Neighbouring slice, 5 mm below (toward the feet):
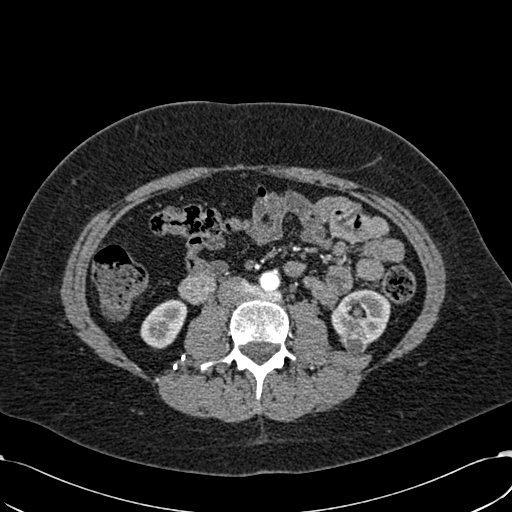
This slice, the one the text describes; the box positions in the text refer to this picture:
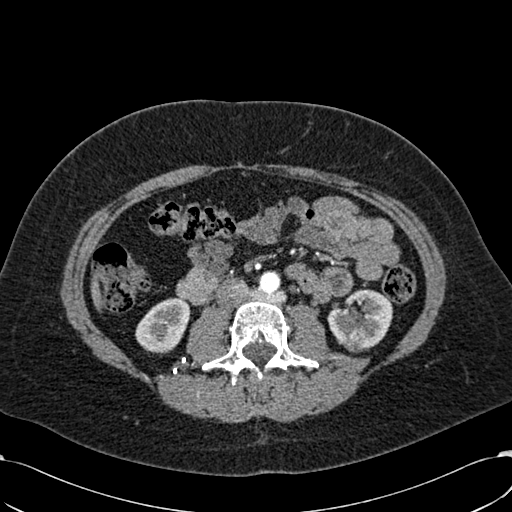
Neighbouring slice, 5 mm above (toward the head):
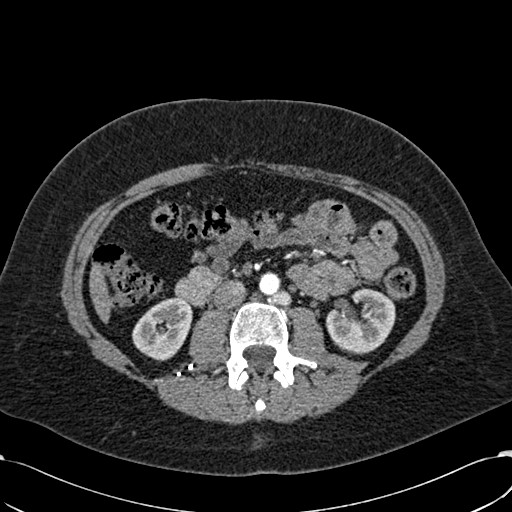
Axial slice 294 of 532 of a contrast-enhanced abdominal CT in the arterial phase (slice 1 is the lowest), 120 kVp, kernel B30f; 1.00 mm slice thickness and 0.713 mm pixels.
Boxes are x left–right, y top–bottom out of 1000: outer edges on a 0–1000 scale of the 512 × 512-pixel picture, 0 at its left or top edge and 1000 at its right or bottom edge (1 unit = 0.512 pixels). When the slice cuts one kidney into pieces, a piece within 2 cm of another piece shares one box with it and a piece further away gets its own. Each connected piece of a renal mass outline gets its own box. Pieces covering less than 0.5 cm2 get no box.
Two kidney boxes and one renal mass box on this slice; by box centre, from the image's left to its right: (1) Right kidney at x 264–373, y 580–691 out of 1000 (outlined area 2,239 px, about 11.4 cm2). (2) Box x 674–709, y 660–689 out of 1000: left renal mass (outlined area 219 px, about 1.1 cm2). (3) Left kidney at x 639–768, y 564–686 out of 1000 (outlined area 2,770 px, about 14.1 cm2). This slice is near the end of the left renal mass toward the head, so the slices 5 mm below and 5 mm above it are shown as well; the boxes refer to this slice only.